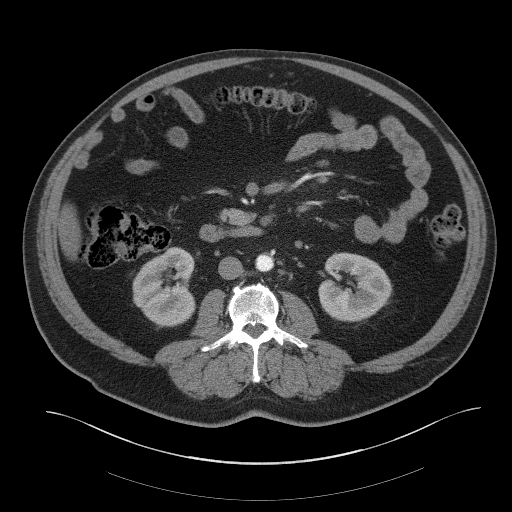
Axial slice 18 of 61 of a contrast-enhanced abdominal CT (slice 1 is the lowest), 140 kVp, kernel B41f; 3.00 mm slice thickness and 0.939 mm pixels.
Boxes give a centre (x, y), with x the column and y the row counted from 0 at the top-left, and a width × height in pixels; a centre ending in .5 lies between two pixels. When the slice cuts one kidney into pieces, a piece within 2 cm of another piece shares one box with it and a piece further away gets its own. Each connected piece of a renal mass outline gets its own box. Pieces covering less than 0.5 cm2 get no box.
Boxed on this slice (two kidney boxes), listed by box centre from the image's left to its right: (1) Right kidney, box centre (163.5, 286.5), 64 × 80 pixels (outlined area 3,890 px, about 34.3 cm2). (2) Left kidney, box centre (355, 286.5), 75 × 70 pixels (outlined area 3,919 px, about 34.6 cm2). No renal mass is outlined on this slice.